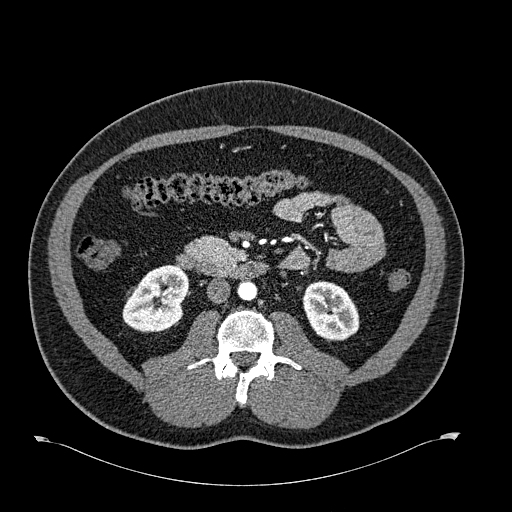
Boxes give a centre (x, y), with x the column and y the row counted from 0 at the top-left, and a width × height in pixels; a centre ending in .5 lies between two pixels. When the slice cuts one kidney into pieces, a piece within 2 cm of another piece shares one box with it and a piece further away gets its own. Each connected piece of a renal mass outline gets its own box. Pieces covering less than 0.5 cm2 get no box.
Arterial-phase contrast-enhanced abdominal CT, axial slice 322 of 723 (counted from the lowest slice); 1.00 mm thick, 0.895 mm per pixel. Two kidney boxes on this slice; by box centre, from the image's left to its right: (1) Right kidney, box centre (154.5, 298), 66 × 69 pixels (outlined area 3,269 px, about 26.2 cm2). (2) Box centre (330.5, 311), 58 × 61 pixels: left kidney (outlined area 2,622 px, about 21.0 cm2). No renal mass outline on this slice.
Scan settings: 120 kVp, B30f reconstruction kernel.